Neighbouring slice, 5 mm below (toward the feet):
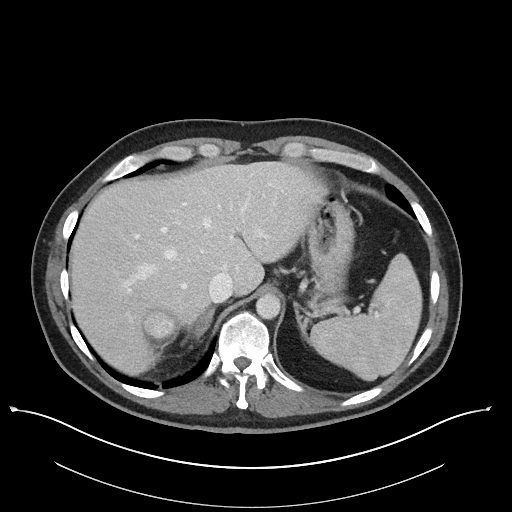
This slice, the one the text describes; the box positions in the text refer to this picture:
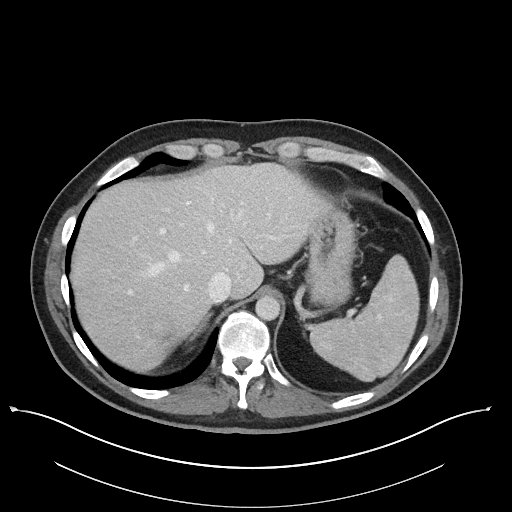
Abdominal CT with intravenous contrast, axial plane, 100 kVp, kernel I40f. Slice 86/101 from the bottom of the scan; thickness 5.00 mm; pixel size 0.879 mm.
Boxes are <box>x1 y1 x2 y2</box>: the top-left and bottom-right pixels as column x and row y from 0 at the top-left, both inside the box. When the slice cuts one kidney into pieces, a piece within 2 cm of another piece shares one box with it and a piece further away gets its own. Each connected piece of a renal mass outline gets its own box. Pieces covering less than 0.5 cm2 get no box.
At <box>150 321 165 336</box>: right renal mass (outlined area 210 px, about 1.6 cm2); this slice has no kidney outline, though on another slice the same outlined renal mass lies within 1 cm of the kidney. This slice is near the end of the right renal mass toward the head, so the slice 5 mm below it is shown as well; the boxes refer to this slice only.